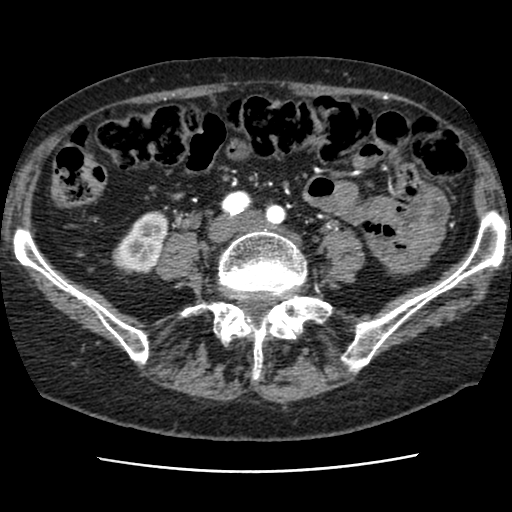
Contrast-enhanced abdominal CT, axial slice 14 of 76 (counted from the lowest slice); tube voltage 120 kVp, convolution kernel STANDARD; slices 2.50 mm thick, 0.586 mm per pixel.
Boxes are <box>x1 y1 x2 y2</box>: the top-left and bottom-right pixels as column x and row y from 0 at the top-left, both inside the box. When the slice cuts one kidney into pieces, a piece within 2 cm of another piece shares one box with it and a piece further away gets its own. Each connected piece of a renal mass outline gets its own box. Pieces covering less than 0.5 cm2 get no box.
Right kidney: <box>112 211 168 274</box> (outlined area 2,419 px, about 8.3 cm2). No renal mass is outlined on this slice.